Axial slice 444 of 735 of a contrast-enhanced abdominal CT in the arterial phase (slice 1 is the lowest), 120 kVp, kernel I30f; 1.00 mm slice thickness and 0.789 mm pixels.
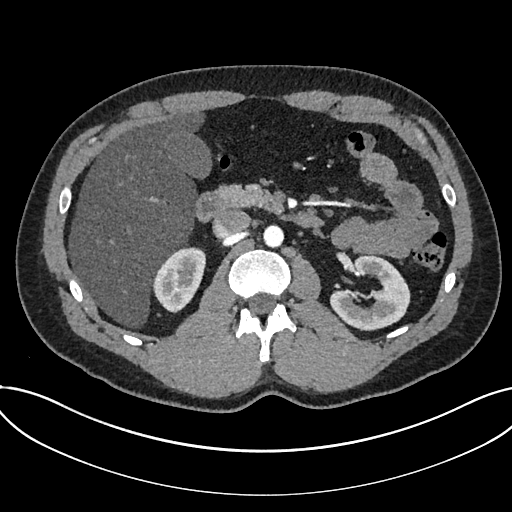
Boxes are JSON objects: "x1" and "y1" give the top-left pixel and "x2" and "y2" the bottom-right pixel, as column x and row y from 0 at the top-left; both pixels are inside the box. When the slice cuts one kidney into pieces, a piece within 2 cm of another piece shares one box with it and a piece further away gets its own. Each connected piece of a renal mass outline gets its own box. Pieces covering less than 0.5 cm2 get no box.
Two boxes on this slice (two kidney boxes), listed by box centre from the image's left to its right. (1) Box {"x1": 153, "y1": 247, "x2": 205, "y2": 312}: kidney (outlined area 2,402 px, about 15.0 cm2). (2) Box {"x1": 330, "y1": 255, "x2": 410, "y2": 330}: kidney (outlined area 3,839 px, about 23.9 cm2). This slice carries no renal mass outline.